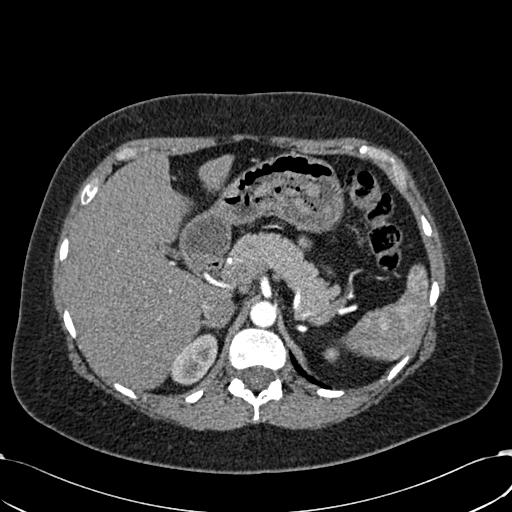
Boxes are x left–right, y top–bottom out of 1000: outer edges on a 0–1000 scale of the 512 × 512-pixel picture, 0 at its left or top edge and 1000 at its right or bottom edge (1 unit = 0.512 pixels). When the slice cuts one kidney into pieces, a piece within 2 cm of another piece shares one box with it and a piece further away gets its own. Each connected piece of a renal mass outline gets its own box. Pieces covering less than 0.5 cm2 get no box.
Slice 449/532 of a contrast-enhanced abdominal CT in the arterial phase, counting up from the lowest; pixel size 0.713 mm, slice thickness 1.00 mm. Boxed on this slice (two kidney boxes), listed by box centre from the image's left to its right: (1) Box x 332–426, y 650–754 out of 1000: right kidney (outlined area 1,726 px, about 8.8 cm2). (2) Box x 631–664, y 678–709 out of 1000: left kidney (outlined area 185 px, about 0.9 cm2). This slice carries no renal mass outline.
Acquired at 120 kVp and reconstructed with the B30f kernel.